Abdominal CT with intravenous contrast, arterial phase, axial plane, 120 kVp, kernel I30f. Slice 270/527 from the bottom of the scan; thickness 1.00 mm; pixel size 0.859 mm.
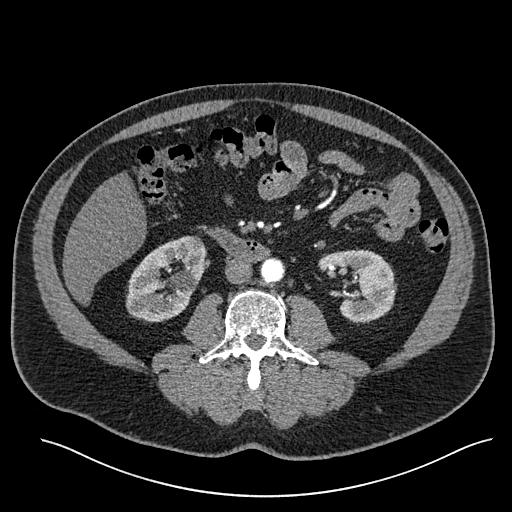
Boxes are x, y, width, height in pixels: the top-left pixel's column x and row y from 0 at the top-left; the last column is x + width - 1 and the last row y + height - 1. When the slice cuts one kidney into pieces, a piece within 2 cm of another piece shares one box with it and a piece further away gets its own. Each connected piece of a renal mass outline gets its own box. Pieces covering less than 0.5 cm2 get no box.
Boxed on this slice (two kidney boxes), listed by box centre from the image's left to its right: (1) Box x 125, y 236, width 82, height 87: right kidney (outlined area 4,748 px, about 35.1 cm2). (2) Left kidney at x 317, y 249, width 81, height 76 (outlined area 3,915 px, about 28.9 cm2). No renal mass is outlined on this slice.